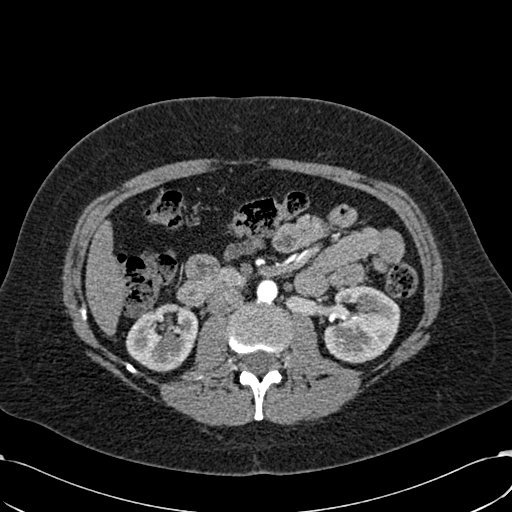
One axial slice (331 of 532, counting up from the lowest) of an arterial-phase abdominal CT acquired with 120 kVp, kernel B30f; each pixel is 0.713 mm and the slice is 1.00 mm thick.
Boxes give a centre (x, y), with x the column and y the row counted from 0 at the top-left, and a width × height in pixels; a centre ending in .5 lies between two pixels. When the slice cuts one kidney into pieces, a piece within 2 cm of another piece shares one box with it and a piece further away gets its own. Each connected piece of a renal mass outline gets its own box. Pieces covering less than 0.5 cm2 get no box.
Two boxes on this slice (two kidney boxes), listed by box centre from the image's left to its right. (1) Right kidney in a box with centre (161.5, 337.5), 74 × 70 pixels (outlined area 3,704 px, about 18.8 cm2). (2) Left kidney in a box with centre (361.5, 324), 78 × 79 pixels (outlined area 4,597 px, about 23.4 cm2). This slice carries no renal mass outline.